One axial slice (354 of 673, counting up from the lowest) of an arterial-phase abdominal CT acquired with 120 kVp, kernel I30f; each pixel is 0.855 mm and the slice is 1.00 mm thick.
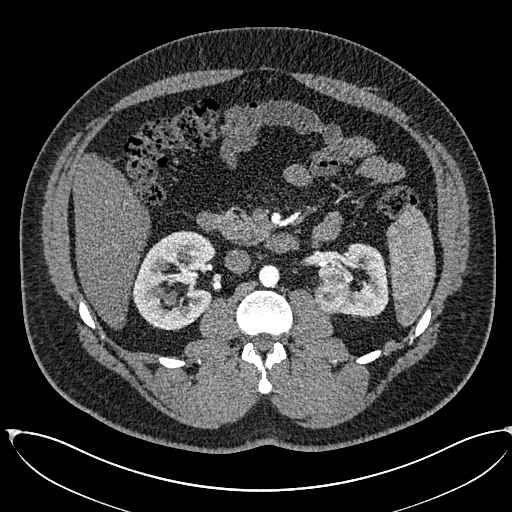
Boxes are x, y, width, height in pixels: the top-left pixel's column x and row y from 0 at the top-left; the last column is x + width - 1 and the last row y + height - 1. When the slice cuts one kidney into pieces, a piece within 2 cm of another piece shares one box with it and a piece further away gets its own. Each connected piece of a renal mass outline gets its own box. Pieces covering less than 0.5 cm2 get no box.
Three boxes on this slice (two kidney boxes and one renal mass box), listed by box centre from the image's left to its right. (1) Right kidney at x 132, y 230, width 85, height 101 (outlined area 5,913 px, about 43.3 cm2). (2) Left renal mass, box x 314, y 276, width 39, height 39 (outlined area 1,170 px, about 8.6 cm2). (3) Box x 318, y 243, width 71, height 74: left kidney (outlined area 3,025 px, about 22.1 cm2).